Axial slice 414 of 705 of a contrast-enhanced abdominal CT in the arterial phase (slice 1 is the lowest), 120 kVp, kernel I30f; 1.00 mm slice thickness and 0.703 mm pixels.
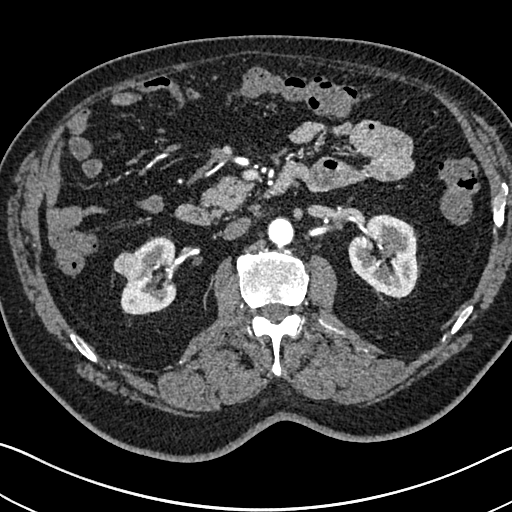
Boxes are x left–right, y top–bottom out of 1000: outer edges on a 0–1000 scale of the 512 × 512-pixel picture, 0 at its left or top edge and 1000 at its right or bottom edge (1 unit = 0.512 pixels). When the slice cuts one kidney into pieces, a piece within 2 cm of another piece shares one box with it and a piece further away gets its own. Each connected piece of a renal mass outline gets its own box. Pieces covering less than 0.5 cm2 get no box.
Three boxes on this slice (two kidney boxes and one renal mass box), listed by box centre from the image's left to its right. (1) Right renal mass at x 221–287, y 490–547 out of 1000 (outlined area 665 px, about 3.3 cm2). (2) Box x 234–348, y 461–615 out of 1000: right kidney (outlined area 3,075 px, about 15.2 cm2). (3) Left kidney, box x 680–822, y 418–584 out of 1000 (outlined area 4,446 px, about 22.0 cm2).